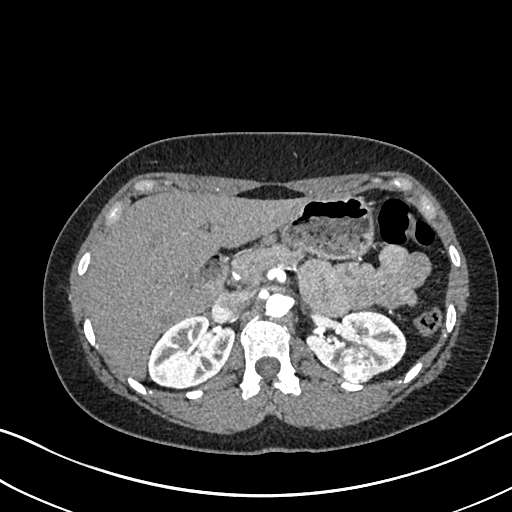
Axial slice 470 of 612 of a contrast-enhanced abdominal CT in the arterial phase (slice 1 is the lowest), 120 kVp, kernel I30f; 1.00 mm slice thickness and 0.703 mm pixels.
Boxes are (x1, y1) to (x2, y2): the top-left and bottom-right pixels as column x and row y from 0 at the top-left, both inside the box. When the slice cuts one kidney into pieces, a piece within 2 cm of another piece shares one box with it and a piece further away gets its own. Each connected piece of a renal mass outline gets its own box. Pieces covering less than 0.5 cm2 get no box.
Two kidney boxes and one renal mass box on this slice; by box centre, from the image's left to its right: (1) Right kidney, box (147, 314) to (234, 389) (outlined area 4,665 px, about 23.1 cm2). (2) Left renal mass, box (338, 352) to (371, 381) (outlined area 838 px, about 4.1 cm2). (3) Left kidney from (306, 309) to (406, 379) (outlined area 4,233 px, about 20.9 cm2).